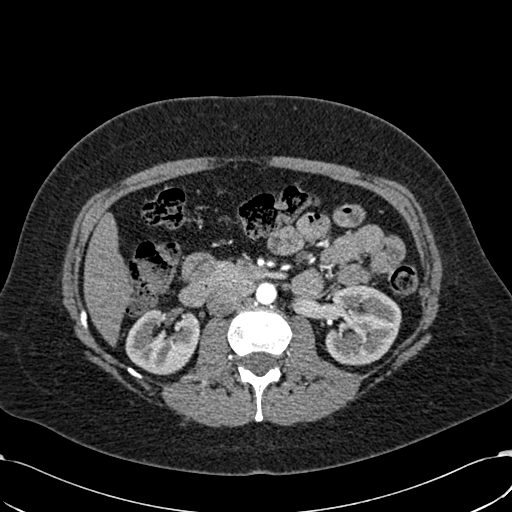
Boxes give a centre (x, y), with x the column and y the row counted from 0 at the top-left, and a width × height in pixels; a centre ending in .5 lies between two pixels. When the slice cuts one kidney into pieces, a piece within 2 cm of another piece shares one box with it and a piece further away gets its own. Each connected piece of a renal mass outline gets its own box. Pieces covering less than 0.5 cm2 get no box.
Arterial-phase contrast-enhanced abdominal CT, axial slice 341 of 532 (counted from the lowest slice); 1.00 mm thick, 0.713 mm per pixel. Two boxes on this slice (two kidney boxes), listed by box centre from the image's left to its right. (1) Right kidney, box centre (162.5, 340.5), 76 × 68 pixels (outlined area 3,738 px, about 19.0 cm2). (2) Left kidney in a box with centre (363, 324.5), 77 × 82 pixels (outlined area 4,906 px, about 24.9 cm2). This slice carries no renal mass outline.
Tube voltage 120 kVp; convolution kernel B30f.